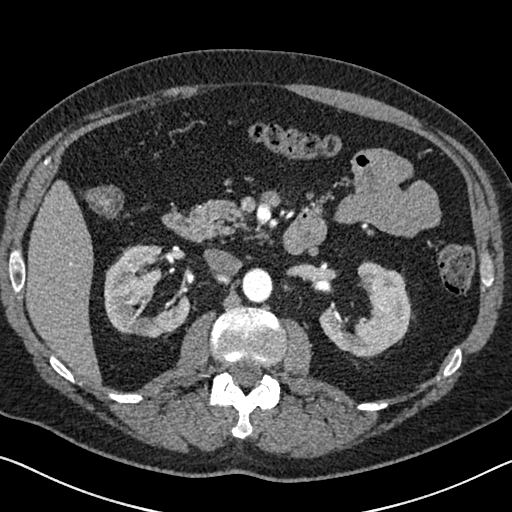
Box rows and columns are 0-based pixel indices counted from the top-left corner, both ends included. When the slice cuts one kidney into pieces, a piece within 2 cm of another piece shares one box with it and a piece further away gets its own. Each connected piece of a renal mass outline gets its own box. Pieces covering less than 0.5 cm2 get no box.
Slice 409/626 of a contrast-enhanced abdominal CT in the arterial phase, counting up from the lowest; pixel size 0.703 mm, slice thickness 1.00 mm. Two kidney boxes on this slice; by box centre, from the image's left to its right: (1) Right kidney at rows 244–337, columns 104–190 (outlined area 5,295 px, about 26.2 cm2). (2) Left kidney at rows 261–357, columns 319–411 (outlined area 5,057 px, about 25.0 cm2). No renal mass outline on this slice.
Tube voltage 120 kVp; convolution kernel I30f.